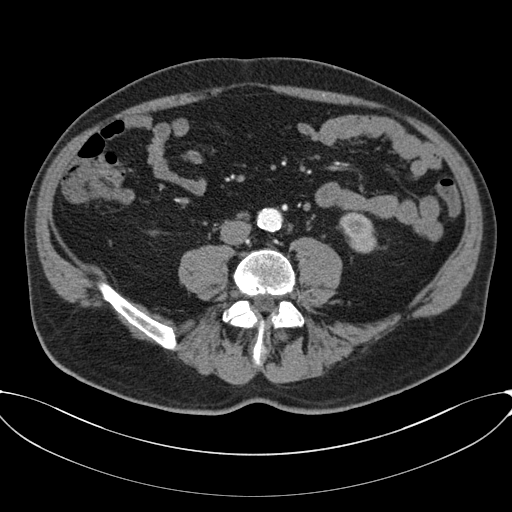
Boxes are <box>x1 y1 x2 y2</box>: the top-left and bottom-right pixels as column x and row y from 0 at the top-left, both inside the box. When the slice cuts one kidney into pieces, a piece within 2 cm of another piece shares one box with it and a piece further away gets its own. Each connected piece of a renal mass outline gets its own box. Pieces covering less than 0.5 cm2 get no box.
This is axial slice 14 of 80 (slice 1 is the lowest) of an abdominal CT with contrast; each pixel is 0.822 mm and the slice is 3.00 mm thick. At <box>339 212 377 253</box>: left kidney (outlined area 1,121 px, about 7.6 cm2). No renal mass outline on this slice.
Scan settings: 120 kVp, B30f reconstruction kernel.